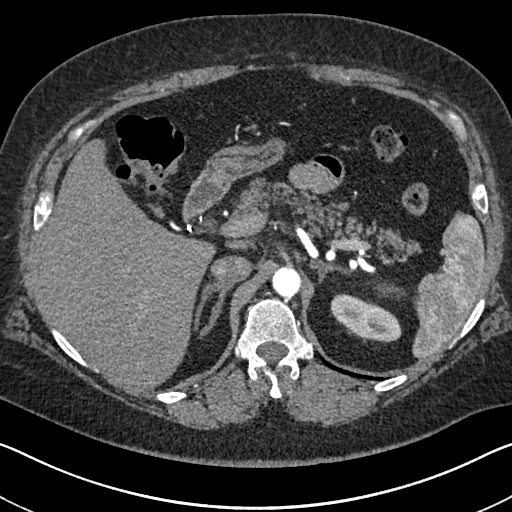
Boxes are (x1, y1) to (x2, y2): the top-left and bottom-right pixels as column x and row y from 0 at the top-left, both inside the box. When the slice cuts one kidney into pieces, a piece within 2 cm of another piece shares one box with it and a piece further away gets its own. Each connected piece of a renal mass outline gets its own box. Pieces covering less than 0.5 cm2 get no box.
Slice 496/591 of a contrast-enhanced abdominal CT in the arterial phase, counting up from the lowest; pixel size 0.703 mm, slice thickness 1.00 mm. Box (330, 293) to (401, 342): left kidney (outlined area 2,297 px, about 11.4 cm2). No renal mass outline on this slice.
Scan settings: 140 kVp, I30f reconstruction kernel.